Axial slice 258 of 620 of a contrast-enhanced abdominal CT in the arterial phase (slice 1 is the lowest), 120 kVp, kernel B31f; 2.00 mm slice thickness and 0.637 mm pixels.
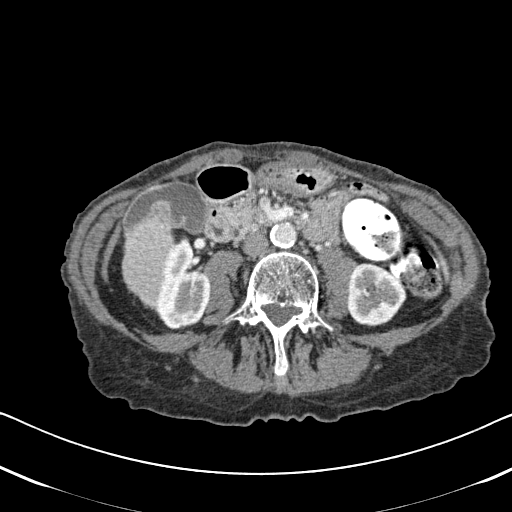
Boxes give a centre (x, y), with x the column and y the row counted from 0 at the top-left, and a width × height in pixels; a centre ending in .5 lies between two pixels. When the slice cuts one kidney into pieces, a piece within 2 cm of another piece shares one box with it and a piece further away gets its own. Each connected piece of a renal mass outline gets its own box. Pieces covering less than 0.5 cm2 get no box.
Boxed on this slice (two kidney boxes), listed by box centre from the image's left to its right: (1) Right kidney, box centre (183, 282), 57 × 95 pixels (outlined area 3,743 px, about 15.2 cm2). (2) Left kidney in a box with centre (376, 294.5), 61 × 64 pixels (outlined area 2,955 px, about 12.0 cm2). This slice carries no renal mass outline.